Abdominal CT with intravenous contrast, arterial phase, axial plane, 100 kVp, kernel I26f. Slice 305/665 from the bottom of the scan; thickness 1.00 mm; pixel size 0.828 mm.
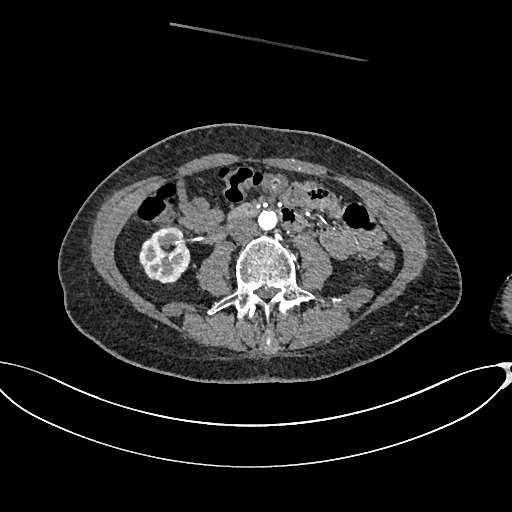
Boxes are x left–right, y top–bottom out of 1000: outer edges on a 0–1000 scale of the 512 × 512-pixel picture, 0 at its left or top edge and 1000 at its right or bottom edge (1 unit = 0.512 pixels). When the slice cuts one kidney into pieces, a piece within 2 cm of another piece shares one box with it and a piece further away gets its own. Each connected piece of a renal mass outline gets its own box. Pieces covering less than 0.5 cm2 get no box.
Box x 271–373, y 441–557 out of 1000: right kidney (outlined area 2,251 px, about 15.4 cm2). This slice carries no renal mass outline.